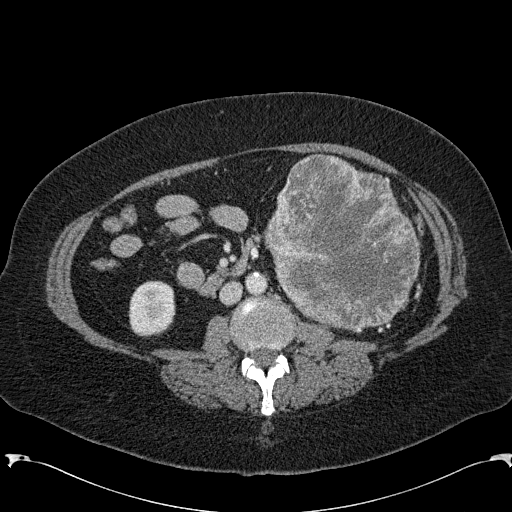
Abdominal CT with intravenous contrast, arterial phase, axial plane, 120 kVp, kernel B31f. Slice 101/285 from the bottom of the scan; thickness 2.00 mm; pixel size 0.762 mm.
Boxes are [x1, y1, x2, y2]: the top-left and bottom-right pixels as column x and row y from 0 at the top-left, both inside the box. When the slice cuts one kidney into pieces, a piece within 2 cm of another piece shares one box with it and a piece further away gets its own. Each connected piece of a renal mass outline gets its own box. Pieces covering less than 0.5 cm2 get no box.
One kidney box and one renal mass box on this slice; by box centre, from the image's left to its right: (1) Right kidney, box [128, 280, 175, 336] (outlined area 2,199 px, about 12.8 cm2). (2) Left renal mass, box [261, 153, 421, 332] (outlined area 20,520 px, about 119.1 cm2); on this slice it lies more than 1 cm from any kidney outline, but the same outlined renal mass comes within 1 cm of the kidney on another slice.